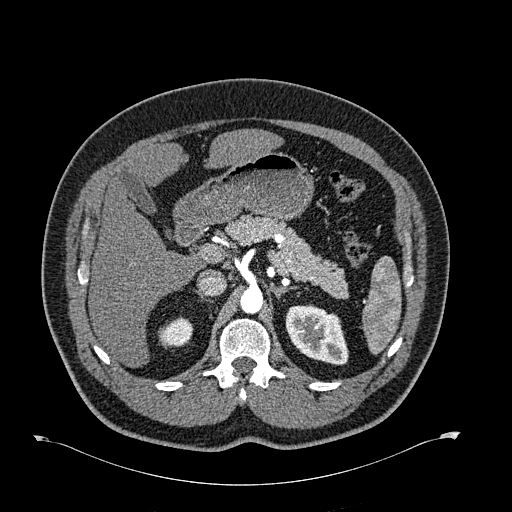
Arterial-phase contrast-enhanced abdominal CT, axial slice 451 of 723 (counted from the lowest slice); tube voltage 120 kVp, convolution kernel B30f; slices 1.00 mm thick, 0.895 mm per pixel.
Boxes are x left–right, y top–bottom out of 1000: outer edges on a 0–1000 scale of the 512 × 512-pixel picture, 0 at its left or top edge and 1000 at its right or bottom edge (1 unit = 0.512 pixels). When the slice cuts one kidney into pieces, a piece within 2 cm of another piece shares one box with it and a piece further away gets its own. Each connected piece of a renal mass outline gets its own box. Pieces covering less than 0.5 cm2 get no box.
Two boxes on this slice (two kidney boxes), listed by box centre from the image's left to its right. (1) Right kidney at x 311–379, y 619–678 out of 1000 (outlined area 735 px, about 5.9 cm2). (2) Left kidney, box x 557–682, y 594–715 out of 1000 (outlined area 2,826 px, about 22.6 cm2). No renal mass is outlined on this slice.